Abdominal CT with intravenous contrast, arterial phase, axial plane, 120 kVp, kernel I30f. Slice 335/673 from the bottom of the scan; thickness 1.00 mm; pixel size 0.855 mm.
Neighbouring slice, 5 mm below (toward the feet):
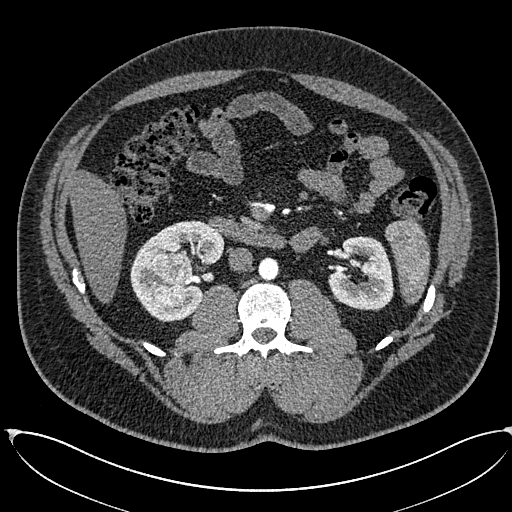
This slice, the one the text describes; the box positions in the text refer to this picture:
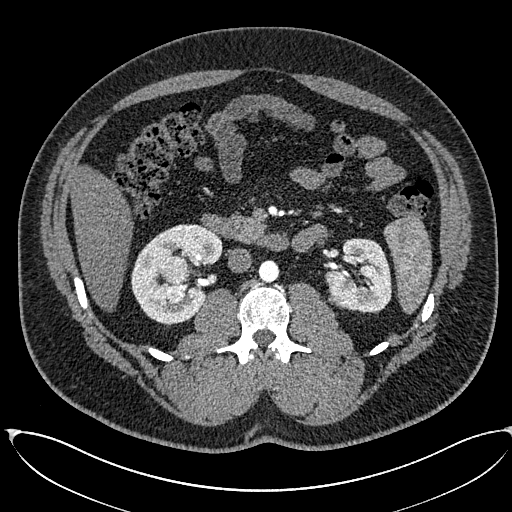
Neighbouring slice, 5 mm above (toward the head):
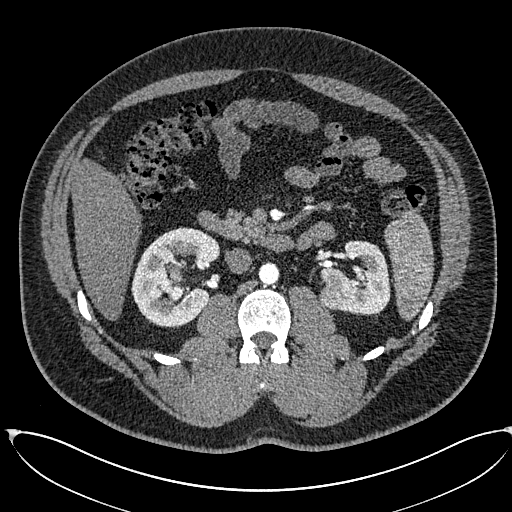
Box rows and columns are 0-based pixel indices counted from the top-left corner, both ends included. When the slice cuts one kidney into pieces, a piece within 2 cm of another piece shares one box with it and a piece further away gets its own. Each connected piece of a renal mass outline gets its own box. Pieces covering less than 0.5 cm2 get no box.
Four boxes on this slice (two kidney boxes and two renal mass boxes), listed by box centre from the image's left to its right. (1) Right renal mass, box rows 256–303, columns 160–190 (outlined area 1,127 px, about 8.2 cm2). (2) Box rows 224–324, columns 131–222: right kidney (outlined area 5,513 px, about 40.3 cm2). (3) Left renal mass at rows 289–308, columns 328–349 (outlined area 324 px, about 2.4 cm2). (4) Box rows 238–313, columns 325–392: left kidney (outlined area 3,540 px, about 25.9 cm2). This slice lies near the end of the left renal mass toward the feet; the slices 5 mm below and 5 mm above it are shown too, and the boxes mark positions on this slice only.